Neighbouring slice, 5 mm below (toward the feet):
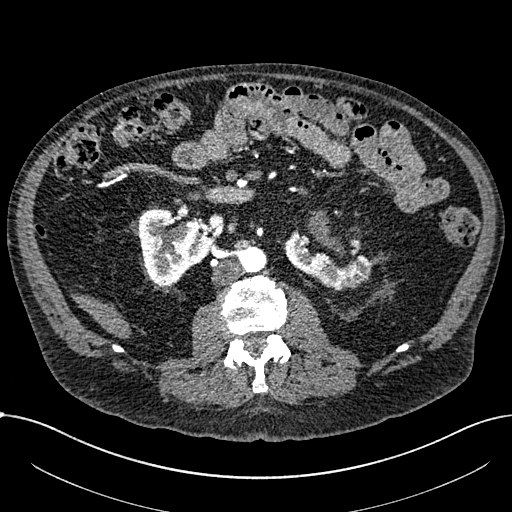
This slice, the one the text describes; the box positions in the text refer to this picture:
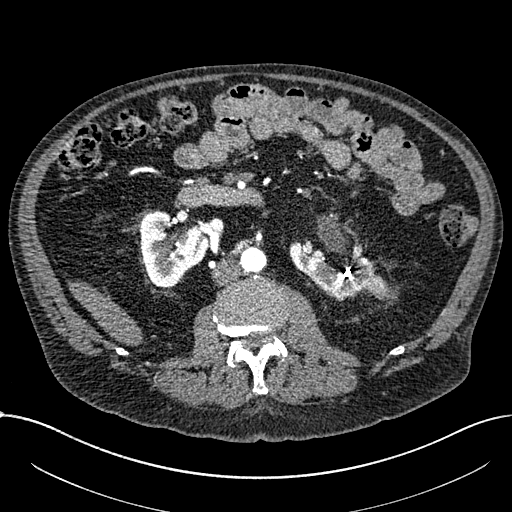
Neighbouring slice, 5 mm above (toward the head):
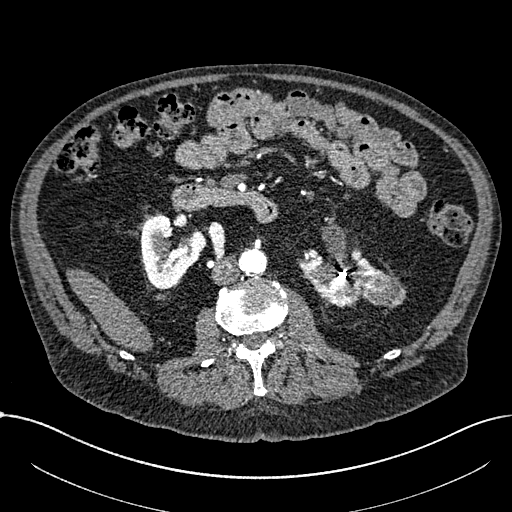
Arterial-phase contrast-enhanced abdominal CT, axial slice 358 of 1059 (counted from the lowest slice); tube voltage 100 kVp, convolution kernel I30f; slices 1.00 mm thick, 0.811 mm per pixel.
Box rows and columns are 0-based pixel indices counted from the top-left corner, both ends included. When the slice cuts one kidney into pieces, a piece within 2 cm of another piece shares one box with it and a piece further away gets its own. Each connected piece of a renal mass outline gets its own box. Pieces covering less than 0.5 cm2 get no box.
Two kidney boxes and one renal mass box on this slice; by box centre, from the image's left to its right: (1) Right part of the midline-crossing kidney, box rows 211–288, columns 140–208 (outlined area 3,667 px, about 24.1 cm2). (2) Left part of the midline-crossing kidney, box rows 240–300, columns 289–389 (outlined area 3,292 px, about 21.6 cm2). (3) Renal mass at rows 277–296, columns 368–391 (outlined area 293 px, about 1.9 cm2). This slice lies near the end of a renal mass toward the feet; the slices 5 mm below and 5 mm above it are shown too, and the boxes mark positions on this slice only.